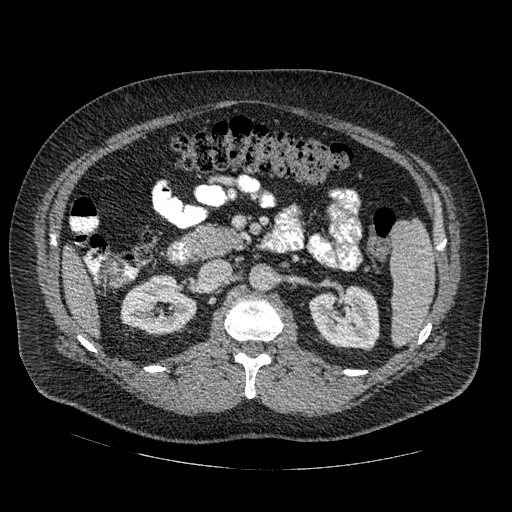
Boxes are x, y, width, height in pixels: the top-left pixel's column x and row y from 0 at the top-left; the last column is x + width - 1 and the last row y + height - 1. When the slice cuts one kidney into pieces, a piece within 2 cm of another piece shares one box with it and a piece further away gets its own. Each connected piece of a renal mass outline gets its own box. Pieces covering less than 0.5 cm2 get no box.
Arterial-phase contrast-enhanced abdominal CT, axial slice 285 of 445 (counted from the lowest slice); 1.25 mm thick, 0.863 mm per pixel. Boxed on this slice (two kidney boxes), listed by box centre from the image's left to its right: (1) Right kidney, box x 120, y 275, width 78, height 60 (outlined area 3,338 px, about 24.9 cm2). (2) Left kidney, box x 309, y 284, width 71, height 67 (outlined area 3,633 px, about 27.1 cm2). This slice carries no renal mass outline.
Tube voltage 120 kVp; convolution kernel STANDARD.